One axial slice (100 of 178, counting up from the lowest) of a contrast-enhanced abdominal CT acquired with 100 kVp, kernel I30f; each pixel is 0.650 mm and the slice is 5.00 mm thick.
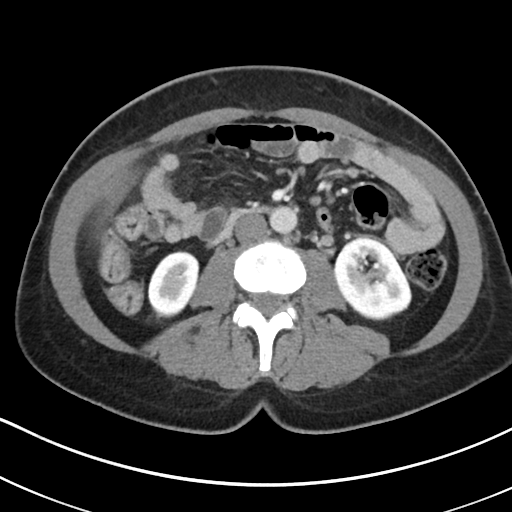
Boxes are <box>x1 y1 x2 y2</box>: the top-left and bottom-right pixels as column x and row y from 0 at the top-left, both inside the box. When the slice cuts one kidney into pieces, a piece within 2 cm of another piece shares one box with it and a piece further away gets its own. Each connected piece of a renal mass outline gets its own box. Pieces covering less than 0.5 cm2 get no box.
Two kidney boxes on this slice; by box centre, from the image's left to its right: (1) At <box>147 250 199 317</box>: right kidney (outlined area 2,608 px, about 11.0 cm2). (2) Left kidney: <box>334 236 411 320</box> (outlined area 4,834 px, about 20.4 cm2). No renal mass outline on this slice.